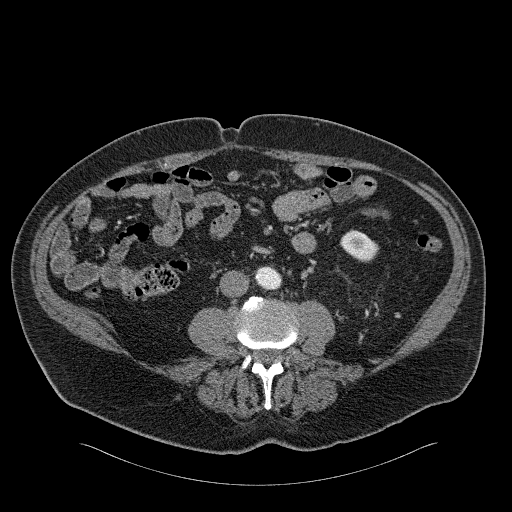
Abdominal CT with intravenous contrast, arterial phase, axial plane, 120 kVp, kernel B31f. Slice 60/326 from the bottom of the scan; thickness 2.00 mm; pixel size 0.963 mm.
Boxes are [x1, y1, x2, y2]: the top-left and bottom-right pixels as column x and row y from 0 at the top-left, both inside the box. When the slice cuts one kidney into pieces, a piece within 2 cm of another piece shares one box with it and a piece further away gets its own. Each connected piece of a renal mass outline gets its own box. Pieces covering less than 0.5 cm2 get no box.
Left kidney, box [340, 230, 379, 262] (outlined area 871 px, about 8.1 cm2). No renal mass outline on this slice.